Axial slice 122 of 304 of a contrast-enhanced abdominal CT in the arterial phase (slice 1 is the lowest), 100 kVp, kernel I30f; 2.00 mm slice thickness and 0.809 mm pixels.
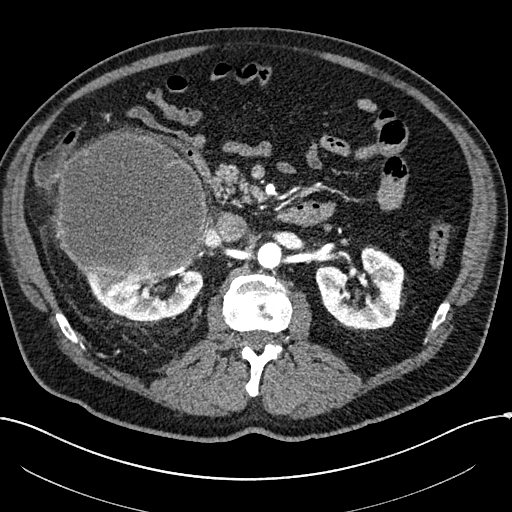
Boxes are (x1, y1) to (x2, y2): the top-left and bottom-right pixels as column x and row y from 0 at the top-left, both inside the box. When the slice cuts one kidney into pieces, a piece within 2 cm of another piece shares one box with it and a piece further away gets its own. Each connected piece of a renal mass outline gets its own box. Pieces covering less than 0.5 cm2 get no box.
Boxed on this slice (two kidney boxes and one renal mass box), listed by box centre from the image's left to its right: (1) Right renal mass from (56, 128) to (207, 283) (outlined area 18,758 px, about 122.6 cm2). (2) Box (83, 269) to (203, 320): right kidney (outlined area 3,659 px, about 23.9 cm2). (3) Left kidney, box (315, 247) to (404, 329) (outlined area 5,067 px, about 33.1 cm2).